Axial slice 126 of 301 of a contrast-enhanced abdominal CT (slice 1 is the lowest), 120 kVp, kernel I40f; 2.00 mm slice thickness and 0.859 mm pixels.
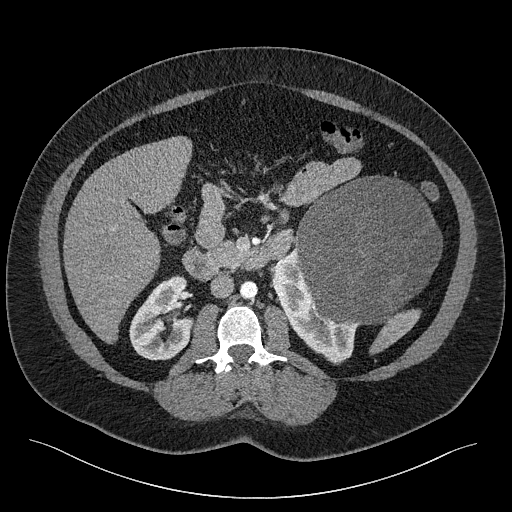
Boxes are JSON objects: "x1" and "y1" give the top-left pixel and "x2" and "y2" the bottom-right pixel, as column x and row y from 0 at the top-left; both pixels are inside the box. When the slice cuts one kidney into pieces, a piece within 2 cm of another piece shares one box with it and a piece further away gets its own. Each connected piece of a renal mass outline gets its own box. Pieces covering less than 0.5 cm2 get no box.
Boxed on this slice (two kidney boxes and one renal mass box), listed by box centre from the image's left to its right: (1) Box {"x1": 129, "y1": 275, "x2": 193, "y2": 360}: right kidney (outlined area 3,841 px, about 28.4 cm2). (2) Left kidney at {"x1": 269, "y1": 241, "x2": 358, "y2": 364} (outlined area 3,955 px, about 29.2 cm2). (3) Left renal mass, box {"x1": 295, "y1": 175, "x2": 442, "y2": 325} (outlined area 16,804 px, about 124.1 cm2).